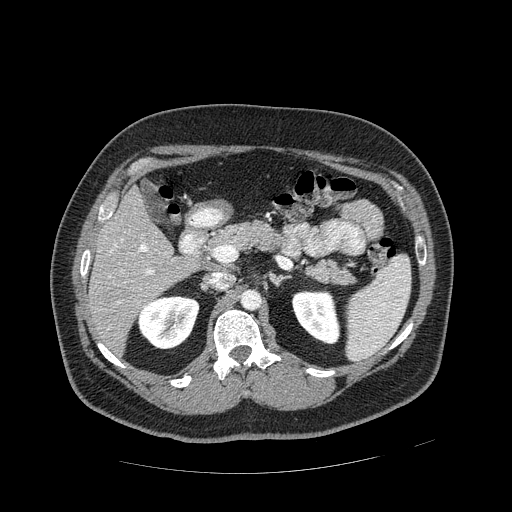
One axial slice (279 of 389, counting up from the lowest) of an arterial-phase abdominal CT acquired with 120 kVp, kernel STANDARD; each pixel is 0.869 mm and the slice is 1.25 mm thick.
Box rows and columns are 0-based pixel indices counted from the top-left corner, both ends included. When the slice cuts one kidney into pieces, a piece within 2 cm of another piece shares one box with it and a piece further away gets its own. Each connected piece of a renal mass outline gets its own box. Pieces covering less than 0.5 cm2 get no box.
Boxed on this slice (two kidney boxes), listed by box centre from the image's left to its right: (1) Box rows 295–349, columns 138–199: right kidney (outlined area 2,601 px, about 19.6 cm2). (2) Box rows 288–344, columns 291–340: left kidney (outlined area 2,036 px, about 15.4 cm2). This slice carries no renal mass outline.